Abdominal CT with intravenous contrast, arterial phase, axial plane, 120 kVp, kernel B30f. Slice 228/538 from the bottom of the scan; thickness 1.00 mm; pixel size 0.811 mm.
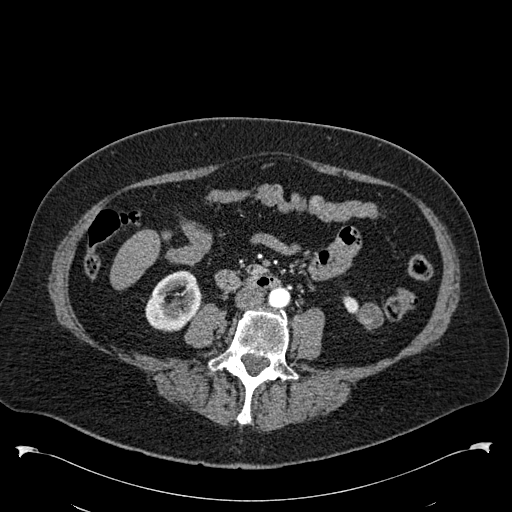
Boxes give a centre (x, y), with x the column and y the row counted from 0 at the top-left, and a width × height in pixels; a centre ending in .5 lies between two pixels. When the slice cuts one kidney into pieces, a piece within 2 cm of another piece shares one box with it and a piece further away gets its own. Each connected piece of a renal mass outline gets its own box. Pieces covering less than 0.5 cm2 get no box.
Boxed on this slice (two kidney boxes and one renal mass box), listed by box centre from the image's left to its right: (1) Right kidney in a box with centre (173.5, 301), 58 × 63 pixels (outlined area 2,504 px, about 16.5 cm2). (2) Left kidney in a box with centre (351, 303.5), 17 × 20 pixels (outlined area 229 px, about 1.5 cm2). (3) Left renal mass in a box with centre (369, 316.5), 29 × 28 pixels (outlined area 542 px, about 3.6 cm2).